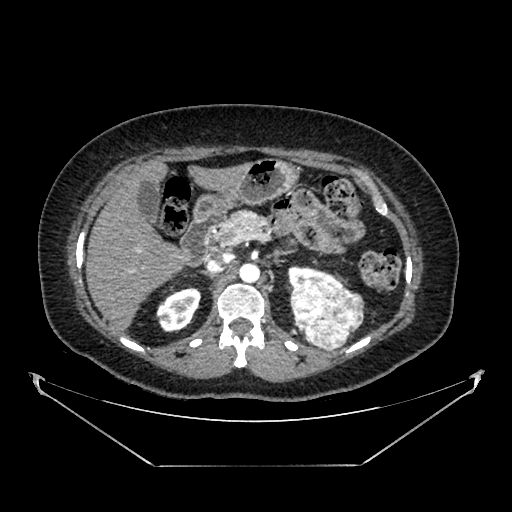
Abdominal CT with intravenous contrast, arterial phase, axial plane, 100 kVp, kernel SOFT. Slice 259/383 from the bottom of the scan; thickness 1.25 mm; pixel size 0.898 mm.
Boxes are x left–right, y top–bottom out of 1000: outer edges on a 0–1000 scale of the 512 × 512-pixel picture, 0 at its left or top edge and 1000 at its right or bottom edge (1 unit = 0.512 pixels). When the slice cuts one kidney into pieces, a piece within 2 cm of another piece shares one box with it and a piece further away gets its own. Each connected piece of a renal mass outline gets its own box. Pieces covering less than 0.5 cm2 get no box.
Boxed on this slice (two kidney boxes and one renal mass box), listed by box centre from the image's left to its right: (1) Box x 305–395, y 559–650 out of 1000: right kidney (outlined area 1,471 px, about 11.9 cm2). (2) Box x 563–678, y 521–564 out of 1000: left kidney (outlined area 633 px, about 5.1 cm2). (3) Left renal mass, box x 566–713, y 545–686 out of 1000 (outlined area 3,953 px, about 31.9 cm2).